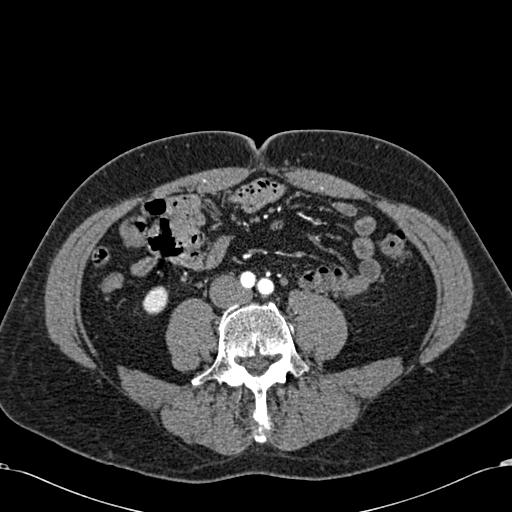
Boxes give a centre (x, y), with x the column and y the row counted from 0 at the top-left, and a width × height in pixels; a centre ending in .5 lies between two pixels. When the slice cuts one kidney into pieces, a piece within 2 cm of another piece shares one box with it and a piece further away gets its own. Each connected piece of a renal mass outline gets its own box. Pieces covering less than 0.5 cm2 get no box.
Arterial-phase contrast-enhanced abdominal CT, axial slice 199 of 581 (counted from the lowest slice); 1.00 mm thick, 0.713 mm per pixel. Right kidney, box centre (155, 300), 27 × 29 pixels (outlined area 574 px, about 2.9 cm2). No renal mass outline on this slice.
Tube voltage 120 kVp; convolution kernel B30f.